Axial slice 275 of 683 of a contrast-enhanced abdominal CT in the arterial phase (slice 1 is the lowest), 120 kVp, kernel I30f; 1.00 mm slice thickness and 0.738 mm pixels.
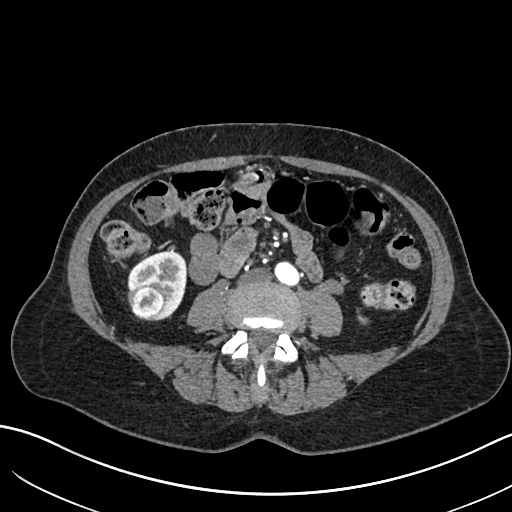
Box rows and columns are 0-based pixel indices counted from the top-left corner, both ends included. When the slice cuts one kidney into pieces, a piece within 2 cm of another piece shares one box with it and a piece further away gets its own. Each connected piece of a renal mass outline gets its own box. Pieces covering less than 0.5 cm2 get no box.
Two kidney boxes and one renal mass box on this slice; by box centre, from the image's left to its right: (1) Right renal mass at rows 283–320, columns 128–167 (outlined area 1,191 px, about 6.5 cm2). (2) Right kidney, box rows 251–320, columns 127–187 (outlined area 2,212 px, about 12.1 cm2). (3) Left kidney at rows 309–324, columns 357–368 (outlined area 94 px, about 0.5 cm2).